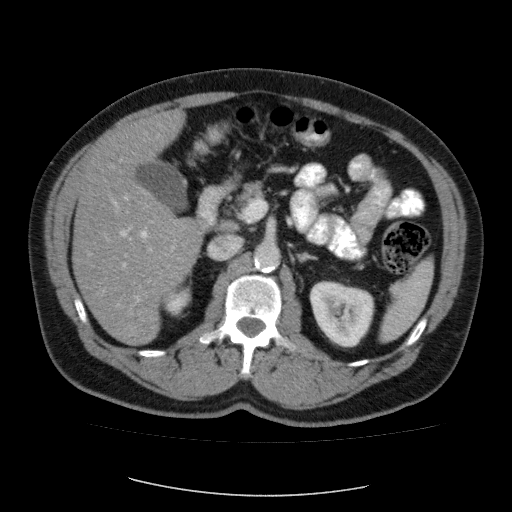
Abdominal CT with intravenous contrast, axial plane, 120 kVp, kernel FC12. Slice 60/87 from the bottom of the scan; thickness 5.00 mm; pixel size 0.812 mm.
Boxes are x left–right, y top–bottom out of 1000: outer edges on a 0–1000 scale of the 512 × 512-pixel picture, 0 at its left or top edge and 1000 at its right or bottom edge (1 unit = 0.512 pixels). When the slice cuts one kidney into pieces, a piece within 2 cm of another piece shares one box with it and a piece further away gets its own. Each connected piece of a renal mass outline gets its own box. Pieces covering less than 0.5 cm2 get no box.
Boxed on this slice (two kidney boxes), listed by box centre from the image's left to its right: (1) Box x 316–375, y 559–619 out of 1000: right kidney (outlined area 627 px, about 4.1 cm2). (2) Box x 604–732, y 547–680 out of 1000: left kidney (outlined area 3,312 px, about 21.8 cm2). No renal mass outline on this slice.